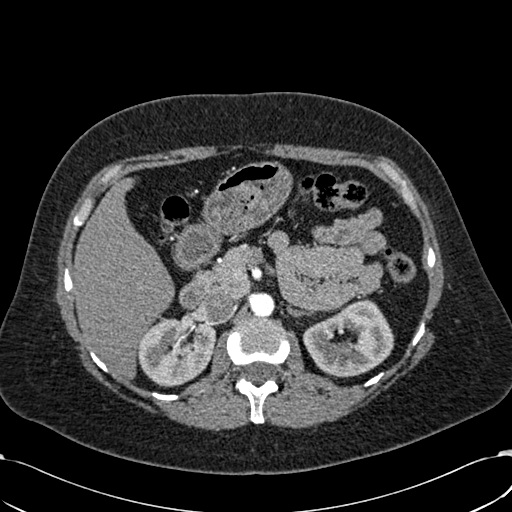
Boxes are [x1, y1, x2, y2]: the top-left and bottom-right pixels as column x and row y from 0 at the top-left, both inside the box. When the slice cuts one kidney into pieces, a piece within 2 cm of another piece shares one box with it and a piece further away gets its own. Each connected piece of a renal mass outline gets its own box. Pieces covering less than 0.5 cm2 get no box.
This is axial slice 398 of 532 (slice 1 is the lowest) of an arterial-phase abdominal CT with contrast; each pixel is 0.713 mm and the slice is 1.00 mm thick. Two boxes on this slice (two kidney boxes), listed by box centre from the image's left to its right. (1) Right kidney at [137, 318, 216, 387] (outlined area 4,222 px, about 21.5 cm2). (2) Left kidney, box [303, 299, 393, 377] (outlined area 4,808 px, about 24.4 cm2). This slice carries no renal mass outline.
Acquired at 120 kVp and reconstructed with the B30f kernel.